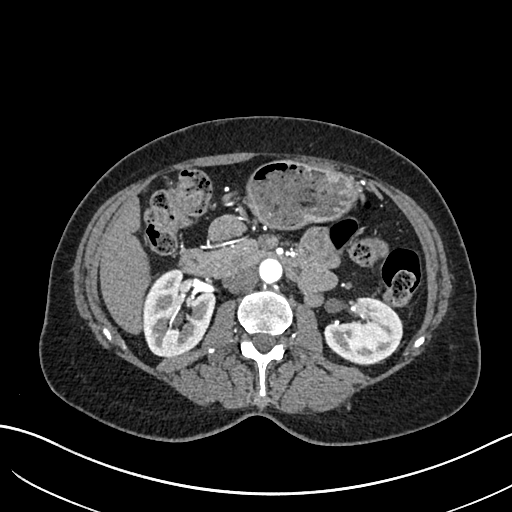
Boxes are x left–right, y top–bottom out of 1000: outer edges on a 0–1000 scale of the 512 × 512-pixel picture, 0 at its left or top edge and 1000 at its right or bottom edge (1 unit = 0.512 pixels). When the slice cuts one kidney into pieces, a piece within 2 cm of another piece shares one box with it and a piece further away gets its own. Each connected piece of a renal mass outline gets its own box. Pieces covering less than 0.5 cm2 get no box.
Slice 365/683 of a contrast-enhanced abdominal CT in the arterial phase, counting up from the lowest; pixel size 0.738 mm, slice thickness 1.00 mm. Two kidney boxes on this slice; by box centre, from the image's left to its right: (1) Box x 277–422, y 525–699 out of 1000: right kidney (outlined area 4,832 px, about 26.3 cm2). (2) Left kidney, box x 633–787, y 578–709 out of 1000 (outlined area 3,709 px, about 20.2 cm2). No renal mass is outlined on this slice.
Tube voltage 120 kVp; convolution kernel I30f.